Arterial-phase contrast-enhanced abdominal CT, axial slice 56 of 69 (counted from the lowest slice); tube voltage 120 kVp, convolution kernel I40f; slices 3.00 mm thick, 0.664 mm per pixel.
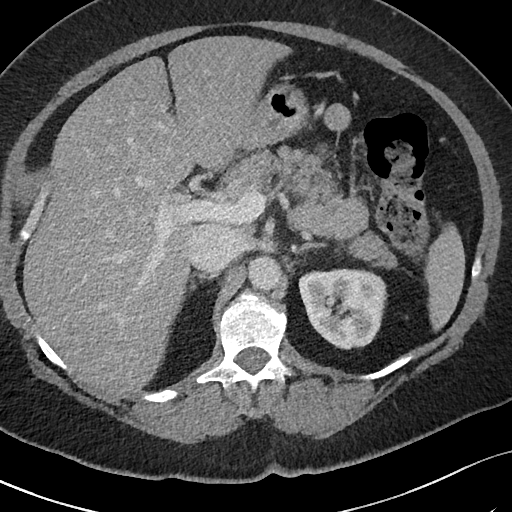
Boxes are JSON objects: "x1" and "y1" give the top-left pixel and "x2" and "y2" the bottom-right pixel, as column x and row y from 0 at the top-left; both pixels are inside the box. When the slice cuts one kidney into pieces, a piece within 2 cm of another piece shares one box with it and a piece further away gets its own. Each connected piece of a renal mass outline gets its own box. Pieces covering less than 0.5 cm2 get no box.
Left kidney, box {"x1": 298, "y1": 268, "x2": 388, "y2": 349} (outlined area 5,635 px, about 24.8 cm2). No renal mass is outlined on this slice.